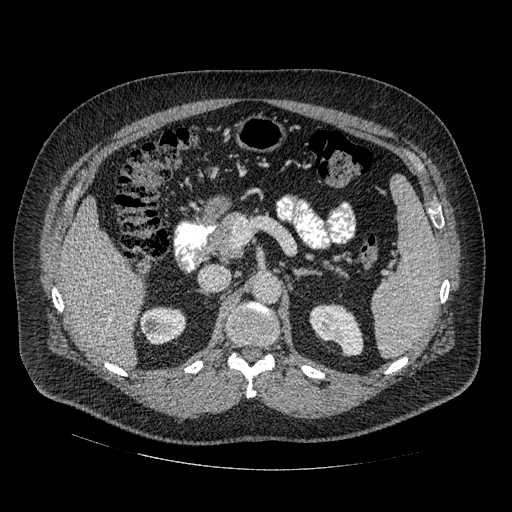
One axial slice (307 of 445, counting up from the lowest) of an arterial-phase abdominal CT acquired with 120 kVp, kernel STANDARD; each pixel is 0.863 mm and the slice is 1.25 mm thick.
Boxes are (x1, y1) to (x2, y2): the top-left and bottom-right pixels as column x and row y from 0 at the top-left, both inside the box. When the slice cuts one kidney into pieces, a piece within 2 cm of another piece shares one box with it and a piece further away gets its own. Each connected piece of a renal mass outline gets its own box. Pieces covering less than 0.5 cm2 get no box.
Boxed on this slice (two kidney boxes), listed by box centre from the image's left to its right: (1) Right kidney, box (140, 307) to (186, 343) (outlined area 1,380 px, about 10.3 cm2). (2) Left kidney, box (310, 303) to (363, 356) (outlined area 1,907 px, about 14.2 cm2). This slice carries no renal mass outline.